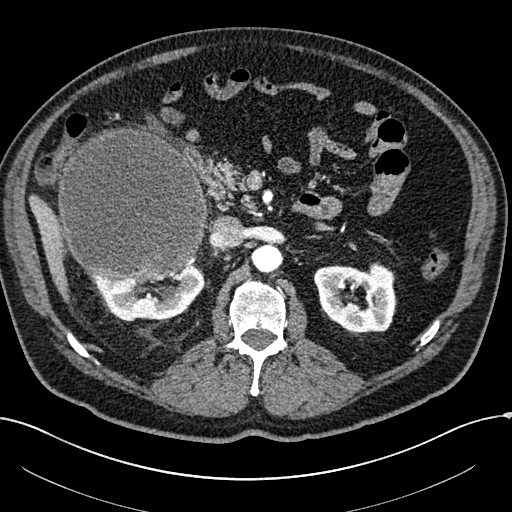
Axial slice 132 of 304 of a contrast-enhanced abdominal CT in the arterial phase (slice 1 is the lowest), 100 kVp, kernel I30f; 2.00 mm slice thickness and 0.809 mm pixels.
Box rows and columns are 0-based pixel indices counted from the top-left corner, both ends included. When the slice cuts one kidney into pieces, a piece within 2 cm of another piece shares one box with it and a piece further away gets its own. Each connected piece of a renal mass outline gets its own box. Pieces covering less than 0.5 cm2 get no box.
Two kidney boxes and one renal mass box on this slice; by box centre, from the image's left to its right: (1) Right renal mass at rows 127–282, columns 58–207 (outlined area 18,814 px, about 123.0 cm2). (2) Right kidney at rows 260–321, columns 93–205 (outlined area 3,684 px, about 24.1 cm2). (3) Left kidney, box rows 262–335, columns 313–396 (outlined area 4,513 px, about 29.5 cm2).